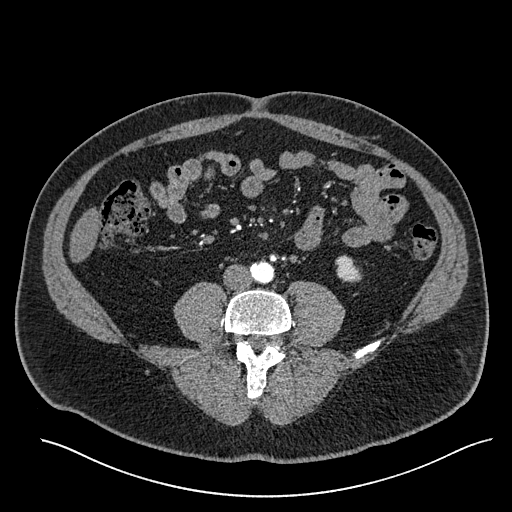
One axial slice (183 of 527, counting up from the lowest) of an arterial-phase abdominal CT acquired with 120 kVp, kernel I30f; each pixel is 0.859 mm and the slice is 1.00 mm thick.
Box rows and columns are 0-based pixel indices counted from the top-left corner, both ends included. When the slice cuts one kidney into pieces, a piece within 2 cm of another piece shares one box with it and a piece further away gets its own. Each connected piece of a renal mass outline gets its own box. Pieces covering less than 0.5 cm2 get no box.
Left kidney, box rows 254–282, columns 335–362 (outlined area 549 px, about 4.1 cm2). No renal mass outline on this slice.